Axial slice 109 of 279 of a contrast-enhanced abdominal CT in the arterial phase (slice 1 is the lowest), 120 kVp, kernel B31f; 2.00 mm slice thickness and 0.824 mm pixels.
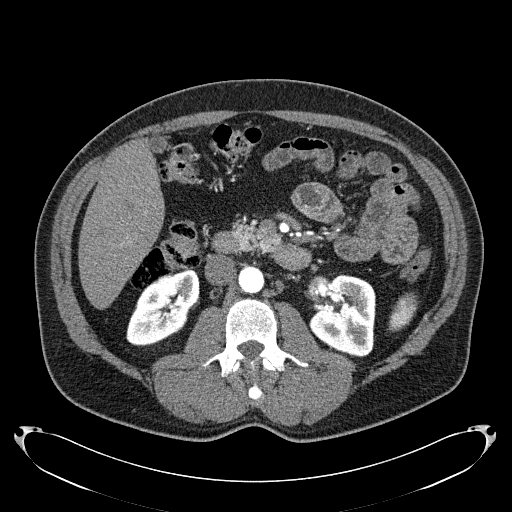
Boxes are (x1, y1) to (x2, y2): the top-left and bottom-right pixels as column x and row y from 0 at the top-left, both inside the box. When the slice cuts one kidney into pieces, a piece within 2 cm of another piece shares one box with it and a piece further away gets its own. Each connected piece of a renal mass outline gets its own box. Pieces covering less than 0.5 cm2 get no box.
Boxed on this slice (two kidney boxes), listed by box centre from the image's left to its right: (1) Right kidney from (126, 268) to (199, 346) (outlined area 3,796 px, about 25.8 cm2). (2) Box (309, 274) to (375, 357): left kidney (outlined area 4,435 px, about 30.1 cm2). No renal mass is outlined on this slice.